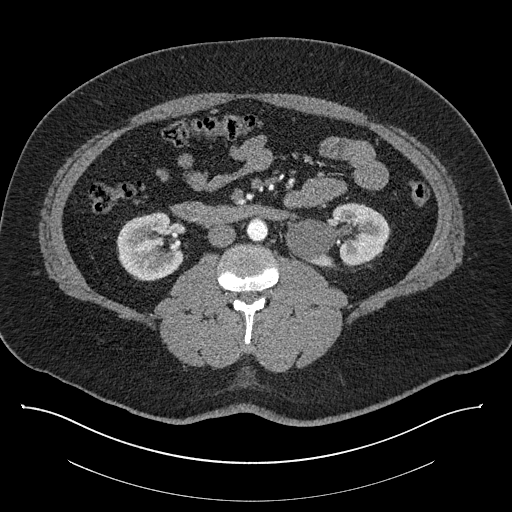
One axial slice (441 of 787, counting up from the lowest) of a contrast-enhanced abdominal CT acquired with 140 kVp, kernel I30f; each pixel is 0.910 mm and the slice is 1.00 mm thick.
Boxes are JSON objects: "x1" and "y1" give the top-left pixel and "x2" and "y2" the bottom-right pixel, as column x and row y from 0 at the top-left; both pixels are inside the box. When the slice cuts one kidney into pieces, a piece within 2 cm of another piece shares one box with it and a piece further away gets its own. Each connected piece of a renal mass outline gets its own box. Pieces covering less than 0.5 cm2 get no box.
Two boxes on this slice (two kidney boxes), listed by box centre from the image's left to its right. (1) Right kidney at {"x1": 116, "y1": 211, "x2": 183, "y2": 281} (outlined area 3,559 px, about 29.5 cm2). (2) Box {"x1": 285, "y1": 202, "x2": 389, "y2": 265}: left kidney (outlined area 4,610 px, about 38.2 cm2). This slice carries no renal mass outline.